Axial slice 342 of 665 of a contrast-enhanced abdominal CT in the arterial phase (slice 1 is the lowest), 100 kVp, kernel I26f; 1.00 mm slice thickness and 0.828 mm pixels.
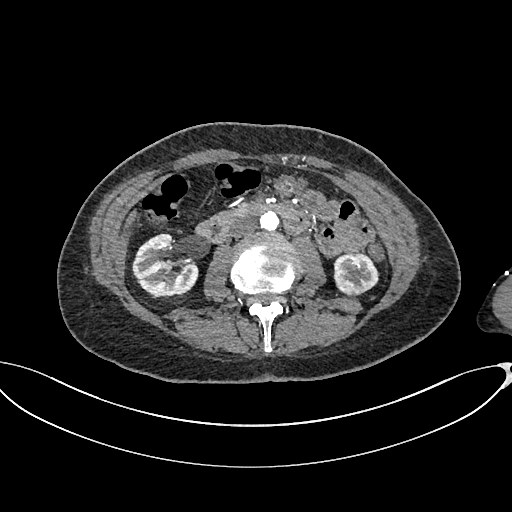
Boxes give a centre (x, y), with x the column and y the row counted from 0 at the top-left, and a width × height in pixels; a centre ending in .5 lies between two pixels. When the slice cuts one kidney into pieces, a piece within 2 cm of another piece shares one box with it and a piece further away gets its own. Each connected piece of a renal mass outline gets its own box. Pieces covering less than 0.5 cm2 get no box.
Two kidney boxes on this slice; by box centre, from the image's left to its right: (1) Box centre (165, 265.5), 67 × 66 pixels: right kidney (outlined area 3,115 px, about 21.4 cm2). (2) Left kidney, box centre (355.5, 274), 46 × 43 pixels (outlined area 1,542 px, about 10.6 cm2). No renal mass is outlined on this slice.